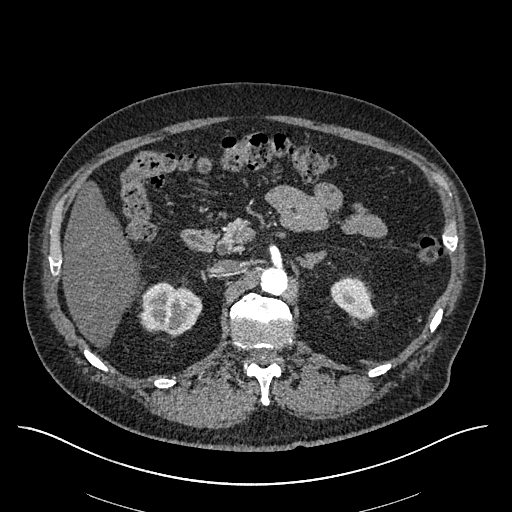
Axial slice 385 of 670 of a contrast-enhanced abdominal CT in the arterial phase (slice 1 is the lowest), 120 kVp, kernel I30f; 1.00 mm slice thickness and 0.861 mm pixels.
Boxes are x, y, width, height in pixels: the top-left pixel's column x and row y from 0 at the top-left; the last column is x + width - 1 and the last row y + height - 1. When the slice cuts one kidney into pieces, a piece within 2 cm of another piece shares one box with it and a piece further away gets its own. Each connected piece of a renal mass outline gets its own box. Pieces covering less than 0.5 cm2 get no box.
Two kidney boxes on this slice; by box centre, from the image's left to its right: (1) Right kidney, box x 138, y 282, width 65, height 54 (outlined area 2,499 px, about 18.5 cm2). (2) Box x 330, y 277, width 45, height 45: left kidney (outlined area 1,334 px, about 9.9 cm2). This slice carries no renal mass outline.